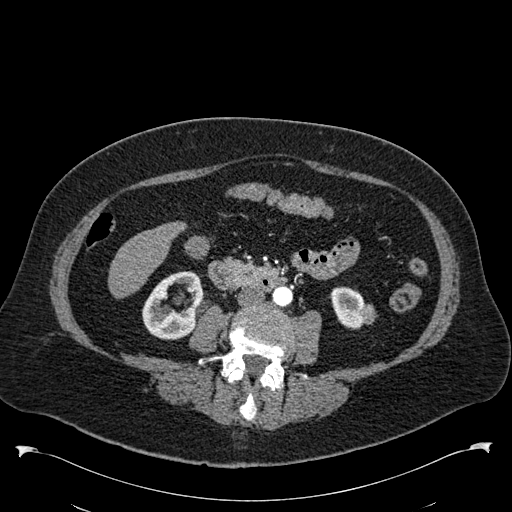
Axial slice 246 of 538 of a contrast-enhanced abdominal CT in the arterial phase (slice 1 is the lowest), 120 kVp, kernel B30f; 1.00 mm slice thickness and 0.811 mm pixels.
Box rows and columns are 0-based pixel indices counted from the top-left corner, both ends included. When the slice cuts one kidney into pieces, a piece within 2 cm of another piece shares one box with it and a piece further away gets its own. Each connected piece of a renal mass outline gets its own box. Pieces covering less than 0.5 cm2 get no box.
Boxed on this slice (two kidney boxes and one renal mass box), listed by box centre from the image's left to its right: (1) Box rows 271–339, columns 142–202: right kidney (outlined area 2,887 px, about 19.0 cm2). (2) Box rows 286–329, columns 329–363: left kidney (outlined area 1,100 px, about 7.2 cm2). (3) Left renal mass, box rows 301–324, columns 359–377 (outlined area 283 px, about 1.9 cm2).